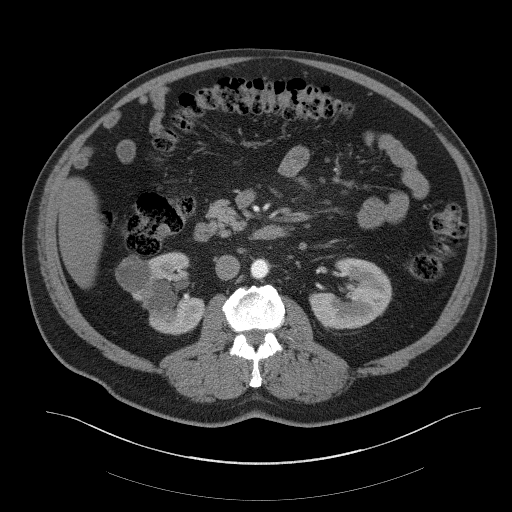
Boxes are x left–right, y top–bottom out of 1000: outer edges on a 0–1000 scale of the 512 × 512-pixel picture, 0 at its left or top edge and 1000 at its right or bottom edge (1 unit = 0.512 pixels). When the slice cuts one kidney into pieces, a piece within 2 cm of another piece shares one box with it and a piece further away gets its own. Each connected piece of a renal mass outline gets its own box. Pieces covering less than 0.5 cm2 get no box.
Slice 23/61 of a contrast-enhanced abdominal CT, counting up from the lowest; pixel size 0.939 mm, slice thickness 3.00 mm. Two kidney boxes and one renal mass box on this slice; by box centre, from the image's left to its right: (1) Box x 225–297, y 498–572 out of 1000: right renal mass (outlined area 1,024 px, about 9.0 cm2). (2) Right kidney, box x 256–400, y 490–656 out of 1000 (outlined area 3,756 px, about 33.1 cm2). (3) Box x 604–768, y 502–645 out of 1000: left kidney (outlined area 4,077 px, about 36.0 cm2).
Tube voltage 140 kVp; convolution kernel B41f.